One axial slice (92 of 325, counting up from the lowest) of an arterial-phase abdominal CT acquired with 100 kVp, kernel I30f; each pixel is 0.703 mm and the slice is 1.00 mm thick.
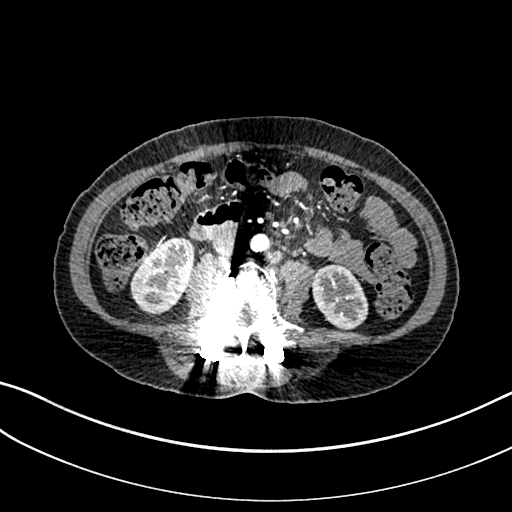
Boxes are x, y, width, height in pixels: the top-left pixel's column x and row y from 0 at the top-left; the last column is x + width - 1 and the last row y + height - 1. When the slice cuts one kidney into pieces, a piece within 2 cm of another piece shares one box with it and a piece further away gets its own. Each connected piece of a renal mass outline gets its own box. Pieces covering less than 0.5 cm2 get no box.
Two kidney boxes on this slice; by box centre, from the image's left to its right: (1) Right kidney at x 130, y 236, width 65, height 80 (outlined area 3,548 px, about 17.5 cm2). (2) Box x 311, y 264, width 58, height 66: left kidney (outlined area 2,795 px, about 13.8 cm2). No renal mass is outlined on this slice.